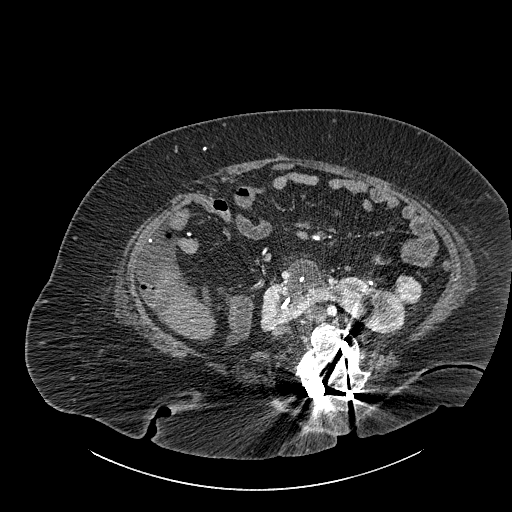
One axial slice (481 of 834, counting up from the lowest) of a contrast-enhanced abdominal CT acquired with 140 kVp, kernel I30f; each pixel is 0.977 mm and the slice is 1.00 mm thick.
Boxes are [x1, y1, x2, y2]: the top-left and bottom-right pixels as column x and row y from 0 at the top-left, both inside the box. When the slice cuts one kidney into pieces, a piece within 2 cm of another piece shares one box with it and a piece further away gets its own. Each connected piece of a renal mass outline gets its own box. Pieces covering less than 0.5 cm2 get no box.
Boxed on this slice (one kidney box and one renal mass box), listed by box centre from the image's left to its right: (1) Box [260, 259, 405, 334]: kidney crossing the body midline (outlined area 5,754 px, about 54.9 cm2). (2) Box [394, 275, 422, 304]: renal mass (outlined area 675 px, about 6.4 cm2).